Arterial-phase contrast-enhanced abdominal CT, axial slice 165 of 512 (counted from the lowest slice); tube voltage 120 kVp, convolution kernel B30f; slices 1.00 mm thick, 0.771 mm per pixel.
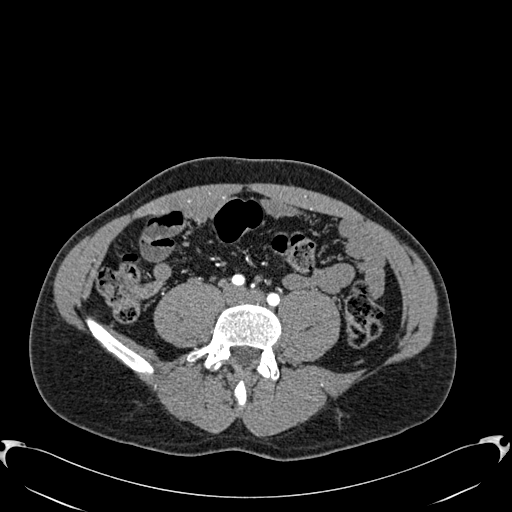
No kidney and no renal mass is outlined on this slice; the outlines in this scan cover only the kidneys and the renal masses, so nothing is said about any other organ.